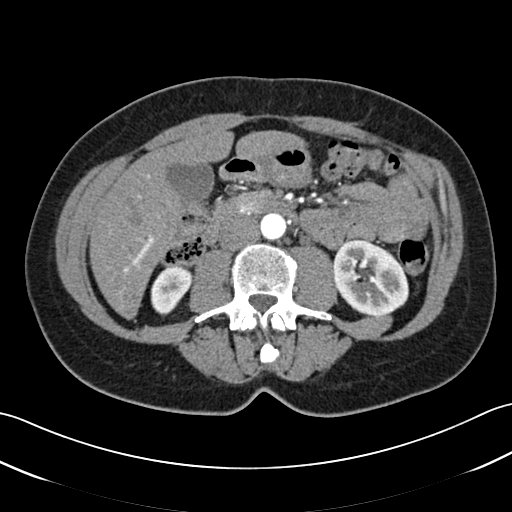
One axial slice (14 of 52, counting up from the lowest) of an arterial-phase abdominal CT acquired with 120 kVp, kernel B30f; each pixel is 0.678 mm and the slice is 3.00 mm thick.
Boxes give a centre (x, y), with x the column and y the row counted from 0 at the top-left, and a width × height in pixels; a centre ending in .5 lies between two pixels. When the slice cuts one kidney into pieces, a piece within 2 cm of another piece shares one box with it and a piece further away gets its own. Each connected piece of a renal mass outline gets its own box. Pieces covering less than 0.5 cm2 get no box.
Boxed on this slice (two kidney boxes), listed by box centre from the image's left to its right: (1) Box centre (170.5, 289.5), 42 × 50 pixels: right kidney (outlined area 1,461 px, about 6.7 cm2). (2) Left kidney, box centre (370, 277), 77 × 77 pixels (outlined area 4,469 px, about 20.5 cm2). No renal mass is outlined on this slice.